Axial slice 36 of 96 of a contrast-enhanced abdominal CT in the arterial phase (slice 1 is the lowest), 130 kVp, kernel B30s; 3.00 mm slice thickness and 0.781 mm pixels.
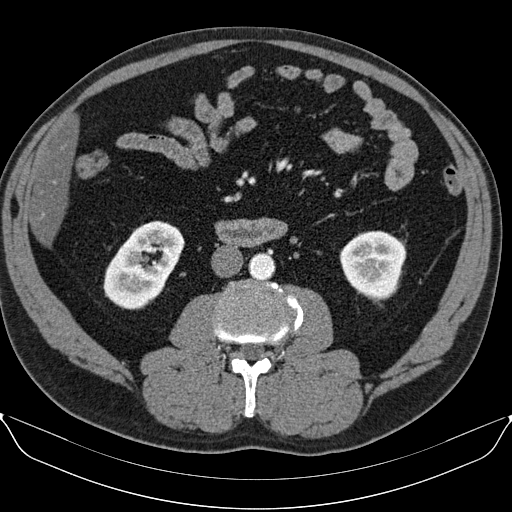
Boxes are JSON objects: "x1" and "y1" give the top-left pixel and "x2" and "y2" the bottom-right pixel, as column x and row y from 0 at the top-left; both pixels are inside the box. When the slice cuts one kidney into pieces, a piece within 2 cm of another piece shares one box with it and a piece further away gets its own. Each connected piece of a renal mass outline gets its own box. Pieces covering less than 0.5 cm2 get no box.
Two kidney boxes on this slice; by box centre, from the image's left to its right: (1) Right kidney at {"x1": 103, "y1": 220, "x2": 184, "y2": 309} (outlined area 4,799 px, about 29.3 cm2). (2) Left kidney, box {"x1": 339, "y1": 230, "x2": 406, "y2": 303} (outlined area 3,601 px, about 22.0 cm2). No renal mass is outlined on this slice.